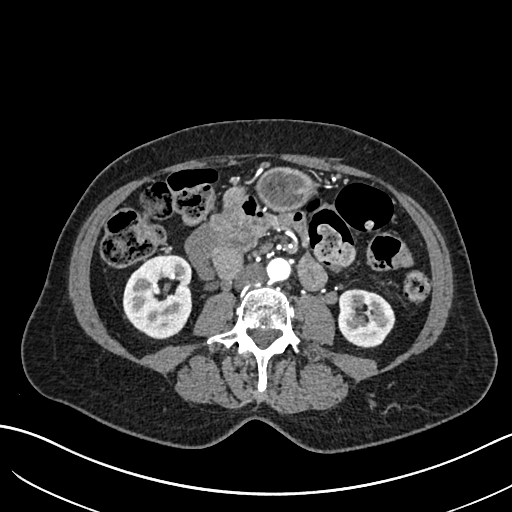
One axial slice (311 of 683, counting up from the lowest) of an arterial-phase abdominal CT acquired with 120 kVp, kernel I30f; each pixel is 0.738 mm and the slice is 1.00 mm thick.
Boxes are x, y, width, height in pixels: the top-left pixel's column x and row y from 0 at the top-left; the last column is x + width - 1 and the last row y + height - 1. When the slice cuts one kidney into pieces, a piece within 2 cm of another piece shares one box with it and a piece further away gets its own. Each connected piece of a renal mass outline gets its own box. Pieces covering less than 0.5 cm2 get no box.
Two kidney boxes on this slice; by box centre, from the image's left to its right: (1) Right kidney at x 122, y 255, width 71, height 85 (outlined area 4,629 px, about 25.2 cm2). (2) Left kidney at x 338, y 288, width 58, height 61 (outlined area 2,697 px, about 14.7 cm2). This slice carries no renal mass outline.